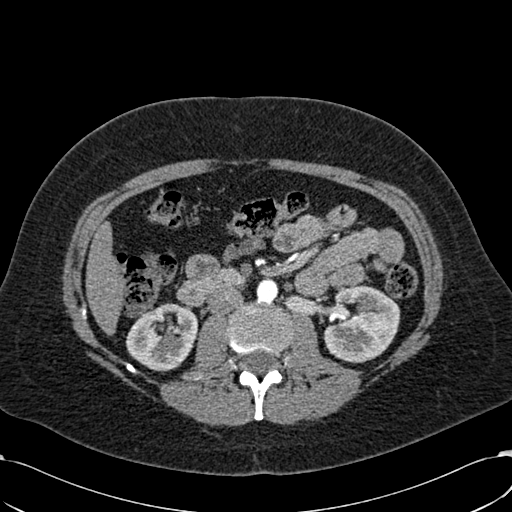
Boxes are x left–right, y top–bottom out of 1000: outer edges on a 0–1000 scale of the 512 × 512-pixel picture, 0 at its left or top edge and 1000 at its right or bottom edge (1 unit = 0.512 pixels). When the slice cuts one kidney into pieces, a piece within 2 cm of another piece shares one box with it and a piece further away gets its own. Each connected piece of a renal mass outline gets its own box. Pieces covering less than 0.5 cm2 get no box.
Slice 330/532 of a contrast-enhanced abdominal CT in the arterial phase, counting up from the lowest; pixel size 0.713 mm, slice thickness 1.00 mm. Two kidney boxes on this slice; by box centre, from the image's left to its right: (1) Right kidney, box x 244–387, y 592–727 out of 1000 (outlined area 3,657 px, about 18.6 cm2). (2) Left kidney at x 631–783, y 557–711 out of 1000 (outlined area 4,554 px, about 23.1 cm2). This slice carries no renal mass outline.
Scan settings: 120 kVp, B30f reconstruction kernel.